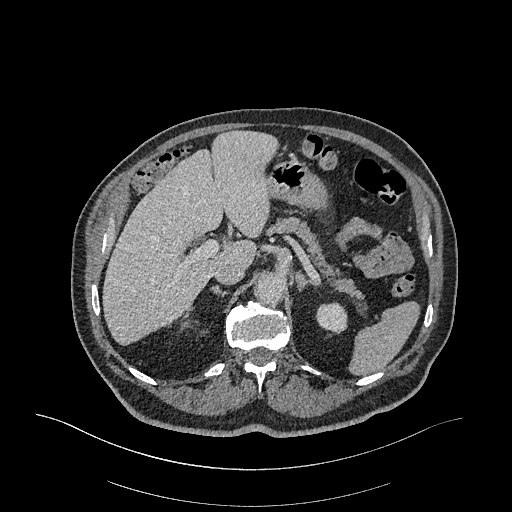
Arterial-phase contrast-enhanced abdominal CT, axial slice 251 of 470 (counted from the lowest slice); tube voltage 120 kVp, convolution kernel I26f; slices 1.00 mm thick, 0.938 mm per pixel.
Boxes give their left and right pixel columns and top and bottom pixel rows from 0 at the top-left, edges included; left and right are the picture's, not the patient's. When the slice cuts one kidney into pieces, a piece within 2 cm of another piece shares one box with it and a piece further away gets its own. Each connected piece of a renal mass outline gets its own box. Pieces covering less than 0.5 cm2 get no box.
Left kidney, the box with left 315, top 302, right 347, bottom 334 (outlined area 804 px, about 7.1 cm2). This slice carries no renal mass outline.